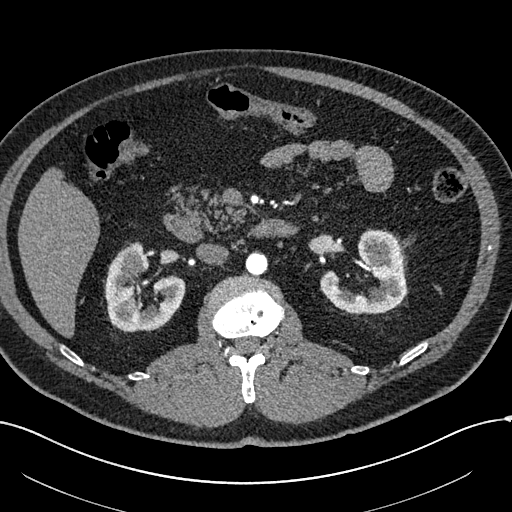
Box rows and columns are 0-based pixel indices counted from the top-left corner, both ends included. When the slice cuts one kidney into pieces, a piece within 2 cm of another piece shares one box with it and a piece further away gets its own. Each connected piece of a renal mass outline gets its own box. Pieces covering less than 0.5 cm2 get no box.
This is axial slice 346 of 602 (slice 1 is the lowest) of an arterial-phase abdominal CT with contrast; each pixel is 0.799 mm and the slice is 1.00 mm thick. Three boxes on this slice (two kidney boxes and one renal mass box), listed by box centre from the image's left to its right. (1) Box rows 251–277, columns 120–142: right renal mass (outlined area 487 px, about 3.1 cm2). (2) Box rows 241–332, columns 104–185: right kidney (outlined area 4,236 px, about 27.0 cm2). (3) Box rows 229–314, columns 320–406: left kidney (outlined area 4,374 px, about 27.9 cm2).
Tube voltage 120 kVp; convolution kernel I30f.